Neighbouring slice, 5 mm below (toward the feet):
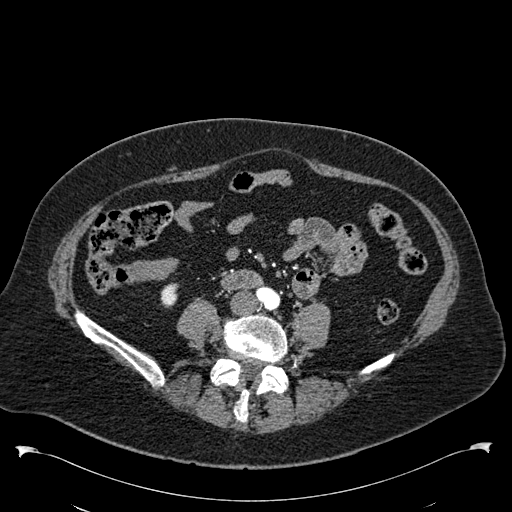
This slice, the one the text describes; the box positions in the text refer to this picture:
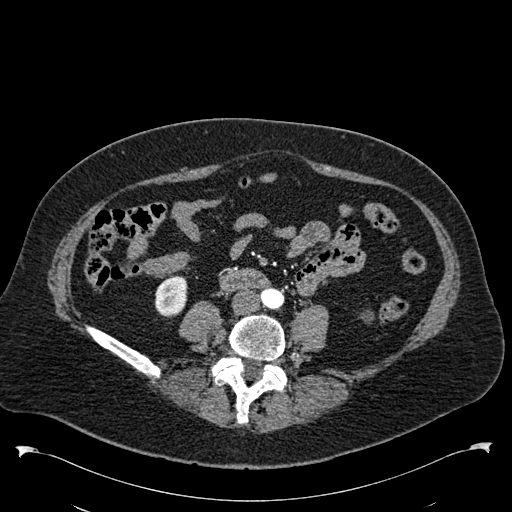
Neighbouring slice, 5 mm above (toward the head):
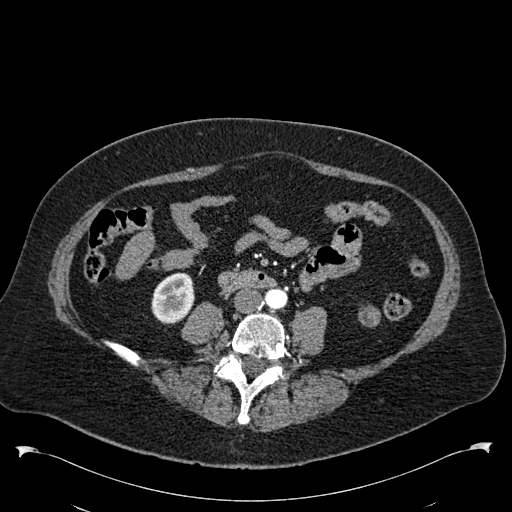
Abdominal CT with intravenous contrast, arterial phase, axial plane, 120 kVp, kernel B30f. Slice 205/538 from the bottom of the scan; thickness 1.00 mm; pixel size 0.811 mm.
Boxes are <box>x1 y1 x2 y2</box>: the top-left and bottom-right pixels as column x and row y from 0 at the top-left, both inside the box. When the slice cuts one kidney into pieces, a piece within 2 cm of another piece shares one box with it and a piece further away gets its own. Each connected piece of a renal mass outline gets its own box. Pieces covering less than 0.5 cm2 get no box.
Two boxes on this slice (one kidney box and one renal mass box), listed by box centre from the image's left to its right. (1) Right kidney at <box>154 275 187 317</box> (outlined area 1,129 px, about 7.4 cm2). (2) Left renal mass: <box>360 310 373 323</box> (outlined area 122 px, about 0.8 cm2); on this slice it lies more than 1 cm from any kidney outline, but the same outlined renal mass comes within 1 cm of the kidney on another slice. This slice is near the end of the left renal mass toward the feet, so the slices 5 mm below and 5 mm above it are shown as well; the boxes refer to this slice only.